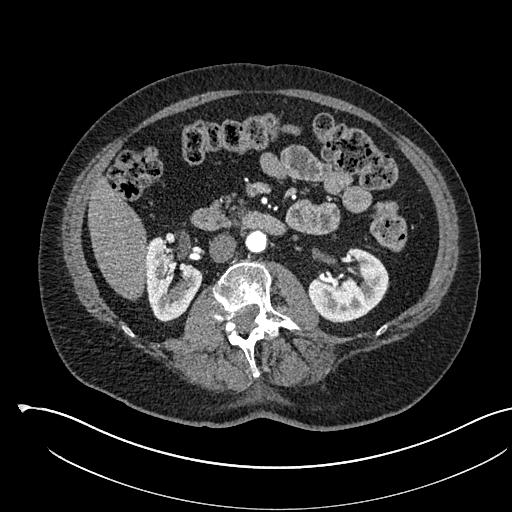
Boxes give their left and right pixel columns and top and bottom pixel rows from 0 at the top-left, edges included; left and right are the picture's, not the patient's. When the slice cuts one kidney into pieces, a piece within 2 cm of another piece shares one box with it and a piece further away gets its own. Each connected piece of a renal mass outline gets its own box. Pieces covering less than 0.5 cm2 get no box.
Arterial-phase contrast-enhanced abdominal CT, axial slice 302 of 541 (counted from the lowest slice); 1.00 mm thick, 0.834 mm per pixel. Two kidney boxes on this slice; by box centre, from the image's left to its right: (1) Box with left 145, top 237, right 202, bottom 322: right kidney (outlined area 3,293 px, about 22.9 cm2). (2) Left kidney in the box with left 308, top 248, right 389, bottom 321 (outlined area 3,978 px, about 27.7 cm2). No renal mass is outlined on this slice.
Acquired at 120 kVp and reconstructed with the I30f kernel.